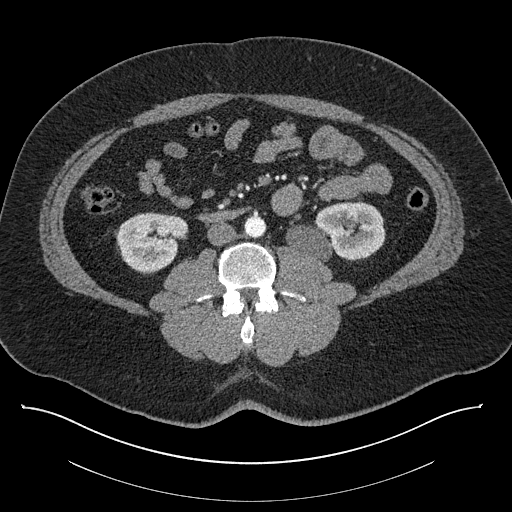
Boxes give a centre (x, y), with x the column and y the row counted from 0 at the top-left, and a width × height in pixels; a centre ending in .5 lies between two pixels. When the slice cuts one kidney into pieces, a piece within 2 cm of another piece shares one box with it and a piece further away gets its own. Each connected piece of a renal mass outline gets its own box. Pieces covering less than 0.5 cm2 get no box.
This is axial slice 410 of 787 (slice 1 is the lowest) of an abdominal CT with contrast; each pixel is 0.910 mm and the slice is 1.00 mm thick. Two kidney boxes on this slice; by box centre, from the image's left to its right: (1) Box centre (152.5, 241.5), 74 × 60 pixels: right kidney (outlined area 3,306 px, about 27.4 cm2). (2) Box centre (335, 230.5), 101 × 60 pixels: left kidney (outlined area 4,385 px, about 36.3 cm2). No renal mass outline on this slice.
Acquired at 140 kVp and reconstructed with the I30f kernel.